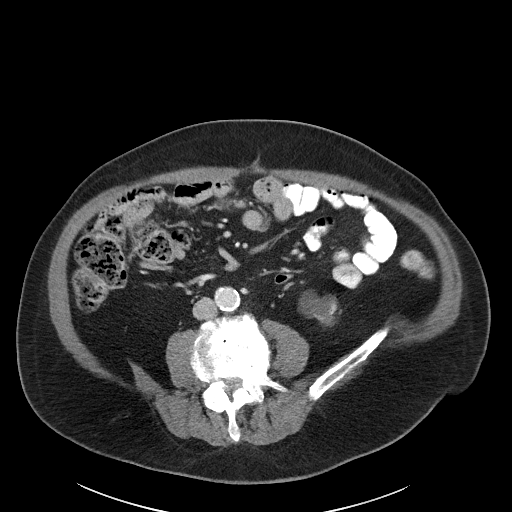
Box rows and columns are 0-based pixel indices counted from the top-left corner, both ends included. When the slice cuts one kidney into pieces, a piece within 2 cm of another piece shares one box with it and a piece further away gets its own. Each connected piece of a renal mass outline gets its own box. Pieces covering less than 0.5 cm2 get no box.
Arterial-phase contrast-enhanced abdominal CT, axial slice 48 of 89 (counted from the lowest slice); 5.00 mm thick, 0.885 mm per pixel. Box rows 291–326, columns 299–337: left kidney (outlined area 934 px, about 7.3 cm2). This slice carries no renal mass outline.
Acquired at 100 kVp and reconstructed with the I40f kernel.